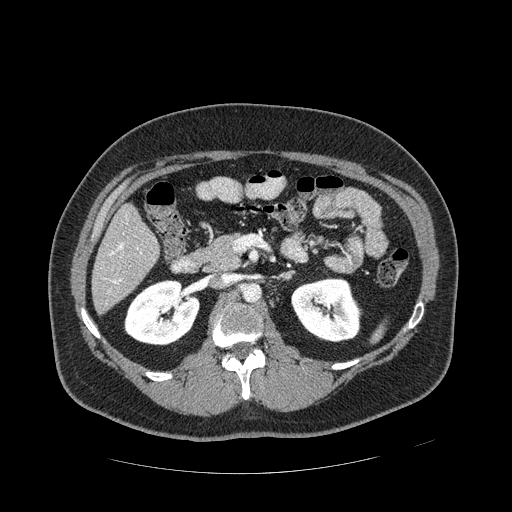
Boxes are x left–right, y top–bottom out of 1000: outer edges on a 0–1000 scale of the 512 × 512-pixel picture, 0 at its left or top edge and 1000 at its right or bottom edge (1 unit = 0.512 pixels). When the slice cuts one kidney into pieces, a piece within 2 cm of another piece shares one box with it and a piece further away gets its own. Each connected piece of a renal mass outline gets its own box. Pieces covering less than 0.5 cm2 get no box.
This is axial slice 264 of 389 (slice 1 is the lowest) of an arterial-phase abdominal CT with contrast; each pixel is 0.869 mm and the slice is 1.25 mm thick. Two kidney boxes on this slice; by box centre, from the image's left to its right: (1) Right kidney at x 242–393, y 545–676 out of 1000 (outlined area 3,789 px, about 28.6 cm2). (2) Box x 568–707, y 541–670 out of 1000: left kidney (outlined area 3,494 px, about 26.4 cm2).
Tube voltage 120 kVp; convolution kernel STANDARD.